One axial slice (61 of 101, counting up from the lowest) of a contrast-enhanced abdominal CT acquired with 100 kVp, kernel I40f; each pixel is 0.684 mm and the slice is 5.00 mm thick.
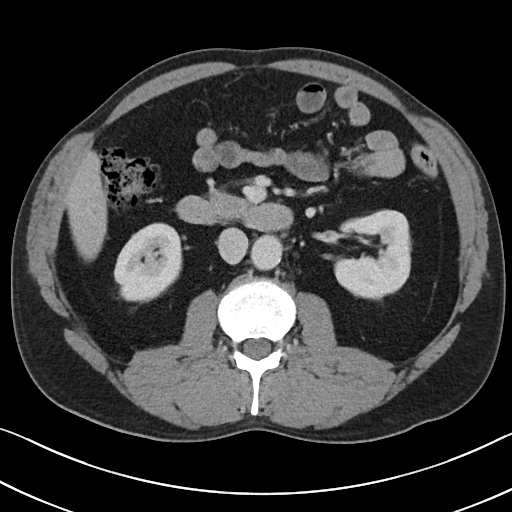
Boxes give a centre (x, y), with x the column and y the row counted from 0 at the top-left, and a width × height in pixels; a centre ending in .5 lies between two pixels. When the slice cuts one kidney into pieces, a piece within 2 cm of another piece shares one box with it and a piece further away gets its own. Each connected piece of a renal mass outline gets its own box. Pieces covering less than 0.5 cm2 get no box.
Two kidney boxes on this slice; by box centre, from the image's left to its right: (1) Box centre (147.5, 262.5), 70 × 82 pixels: right kidney (outlined area 4,184 px, about 19.6 cm2). (2) Left kidney in a box with centre (371.5, 253.5), 78 × 90 pixels (outlined area 5,102 px, about 23.8 cm2). No renal mass is outlined on this slice.